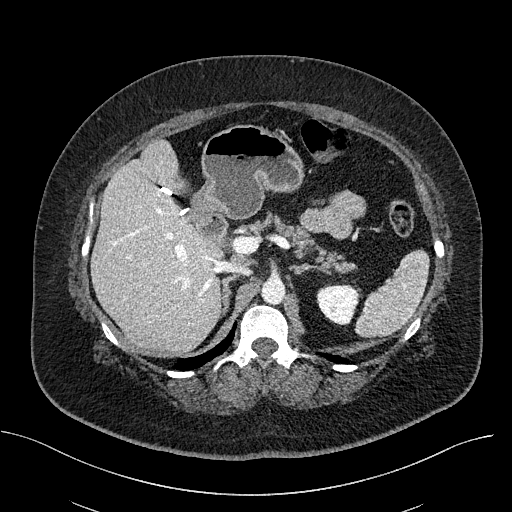
Abdominal CT with intravenous contrast, axial plane, 100 kVp, kernel I40f. Slice 339/470 from the bottom of the scan; thickness 2.00 mm; pixel size 0.824 mm.
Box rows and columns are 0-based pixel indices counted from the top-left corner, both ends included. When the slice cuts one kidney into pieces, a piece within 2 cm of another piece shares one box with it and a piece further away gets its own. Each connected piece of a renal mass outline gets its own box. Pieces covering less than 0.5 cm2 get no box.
Left kidney, box rows 284–325, columns 316–358 (outlined area 1,387 px, about 9.4 cm2). This slice carries no renal mass outline.